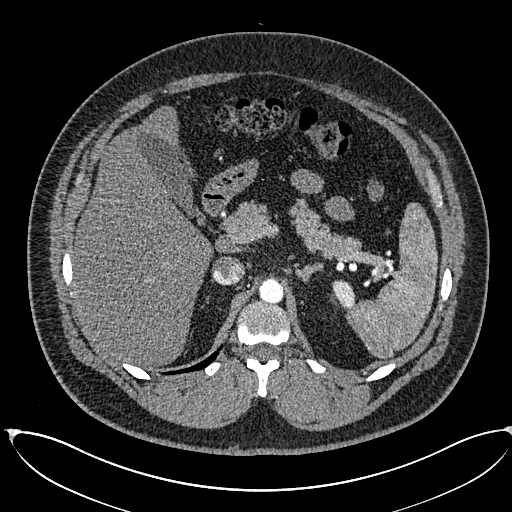
One axial slice (435 of 673, counting up from the lowest) of an arterial-phase abdominal CT acquired with 120 kVp, kernel I30f; each pixel is 0.855 mm and the slice is 1.00 mm thick.
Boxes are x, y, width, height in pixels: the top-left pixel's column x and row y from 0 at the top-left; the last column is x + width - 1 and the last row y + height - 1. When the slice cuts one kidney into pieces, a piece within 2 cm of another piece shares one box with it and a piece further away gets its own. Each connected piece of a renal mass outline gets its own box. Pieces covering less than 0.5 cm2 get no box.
Box x 332, y 280, width 24, height 28: left kidney (outlined area 480 px, about 3.5 cm2). No renal mass is outlined on this slice.